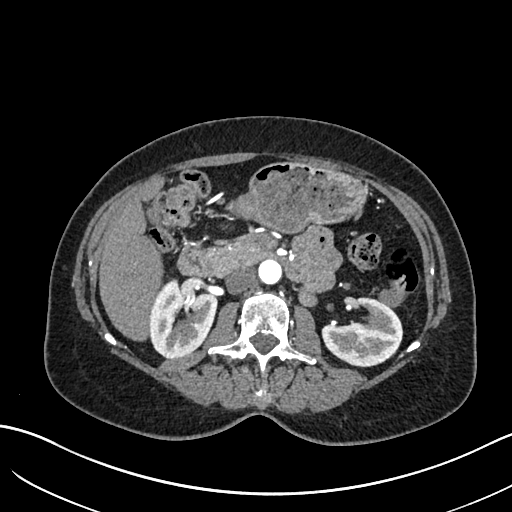
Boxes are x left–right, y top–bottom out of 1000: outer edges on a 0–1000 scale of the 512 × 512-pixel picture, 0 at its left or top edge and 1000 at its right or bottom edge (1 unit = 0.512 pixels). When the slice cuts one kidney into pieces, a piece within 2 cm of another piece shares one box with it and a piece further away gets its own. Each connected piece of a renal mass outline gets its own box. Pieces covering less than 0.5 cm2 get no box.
This is axial slice 375 of 683 (slice 1 is the lowest) of an arterial-phase abdominal CT with contrast; each pixel is 0.738 mm and the slice is 1.00 mm thick. Boxed on this slice (two kidney boxes), listed by box centre from the image's left to its right: (1) Box x 291–426, y 543–701 out of 1000: right kidney (outlined area 4,089 px, about 22.3 cm2). (2) Box x 633–785, y 578–717 out of 1000: left kidney (outlined area 3,715 px, about 20.2 cm2). No renal mass is outlined on this slice.
Scan settings: 120 kVp, I30f reconstruction kernel.